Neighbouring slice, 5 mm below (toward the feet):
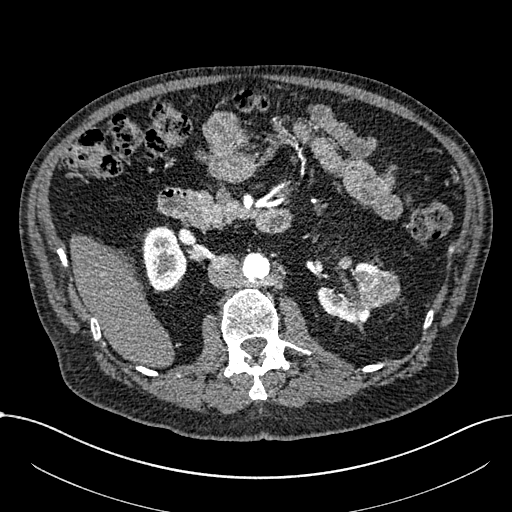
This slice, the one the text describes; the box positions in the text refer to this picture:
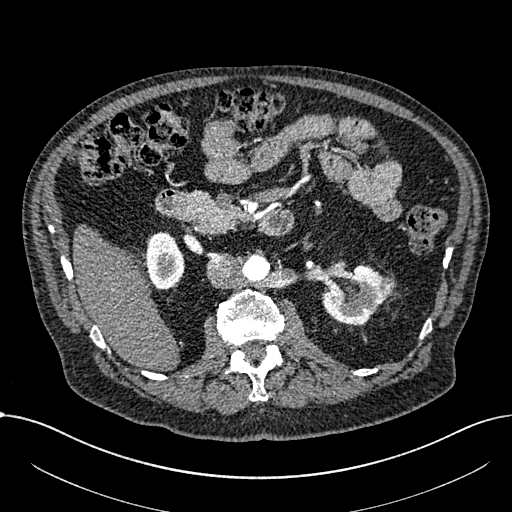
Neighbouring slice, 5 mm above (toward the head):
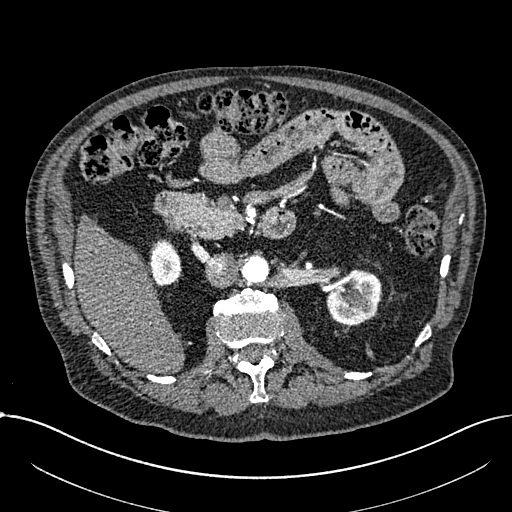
Abdominal CT with intravenous contrast, arterial phase, axial plane, 100 kVp, kernel I30f. Slice 411/1059 from the bottom of the scan; thickness 1.00 mm; pixel size 0.811 mm.
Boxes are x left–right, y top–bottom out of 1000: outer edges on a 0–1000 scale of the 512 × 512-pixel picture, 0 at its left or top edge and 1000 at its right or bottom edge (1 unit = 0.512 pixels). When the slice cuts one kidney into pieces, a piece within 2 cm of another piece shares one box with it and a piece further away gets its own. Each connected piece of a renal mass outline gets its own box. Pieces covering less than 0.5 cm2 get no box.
Three boxes on this slice (two kidney boxes and one renal mass box), listed by box centre from the image's left to its right. (1) Right part of the midline-crossing kidney at x 285–361, y 451–566 out of 1000 (outlined area 1,759 px, about 11.6 cm2). (2) Left part of the midline-crossing kidney, box x 627–768, y 514–637 out of 1000 (outlined area 2,617 px, about 17.2 cm2). (3) Box x 736–771, y 543–590 out of 1000: renal mass (outlined area 286 px, about 1.9 cm2). This slice lies near the end of a renal mass toward the head; the slices 5 mm below and 5 mm above it are shown too, and the boxes mark positions on this slice only.